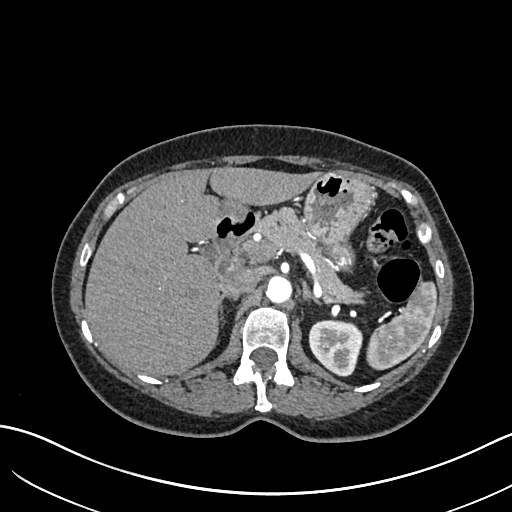
Abdominal CT with intravenous contrast, arterial phase, axial plane, 120 kVp, kernel I30f. Slice 452/683 from the bottom of the scan; thickness 1.00 mm; pixel size 0.738 mm.
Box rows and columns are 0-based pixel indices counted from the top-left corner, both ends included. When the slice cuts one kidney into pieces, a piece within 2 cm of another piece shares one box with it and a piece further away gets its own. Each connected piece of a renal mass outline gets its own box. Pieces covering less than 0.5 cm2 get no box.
Left kidney, box rows 320–376, columns 308–362 (outlined area 2,381 px, about 13.0 cm2). No renal mass is outlined on this slice.